One axial slice (348 of 548, counting up from the lowest) of an arterial-phase abdominal CT acquired with 120 kVp, kernel I26f; each pixel is 0.852 mm and the slice is 1.00 mm thick.
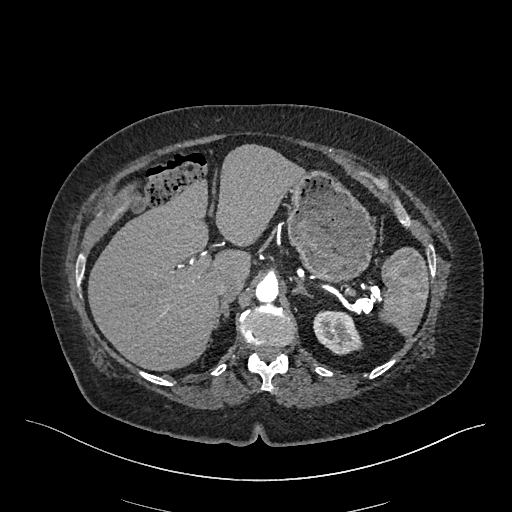
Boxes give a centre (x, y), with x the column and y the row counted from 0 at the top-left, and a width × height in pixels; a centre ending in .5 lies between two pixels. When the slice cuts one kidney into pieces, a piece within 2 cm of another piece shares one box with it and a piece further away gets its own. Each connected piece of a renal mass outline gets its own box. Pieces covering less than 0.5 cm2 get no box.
Left kidney, box centre (337.5, 332.5), 50 × 46 pixels (outlined area 1,657 px, about 12.0 cm2). No renal mass outline on this slice.